Axial slice 65 of 92 of a contrast-enhanced abdominal CT (slice 1 is the lowest), 100 kVp, kernel I41f; 3.00 mm slice thickness and 0.684 mm pixels.
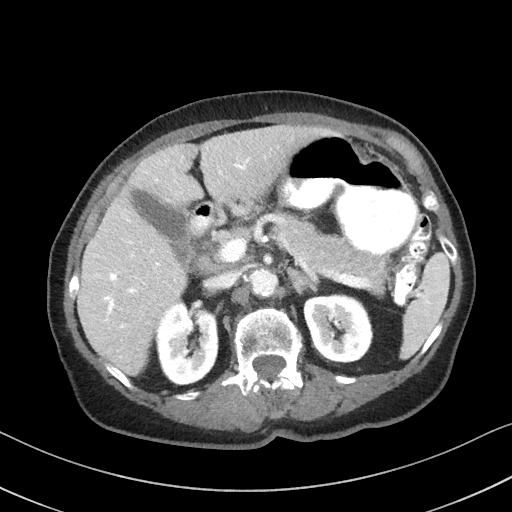
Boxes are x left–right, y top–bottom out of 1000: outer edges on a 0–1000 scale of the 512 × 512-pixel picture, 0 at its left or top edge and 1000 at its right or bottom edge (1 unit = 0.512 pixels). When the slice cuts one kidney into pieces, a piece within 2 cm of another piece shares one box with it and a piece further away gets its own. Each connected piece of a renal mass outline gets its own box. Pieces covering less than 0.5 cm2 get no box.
Boxed on this slice (two kidney boxes), listed by box centre from the image's left to its right: (1) Right kidney, box x 301–428, y 588–754 out of 1000 (outlined area 4,281 px, about 20.0 cm2). (2) Left kidney, box x 592–730, y 570–715 out of 1000 (outlined area 3,999 px, about 18.7 cm2). No renal mass outline on this slice.